Axial slice 295 of 470 of a contrast-enhanced abdominal CT (slice 1 is the lowest), 100 kVp, kernel I40f; 2.00 mm slice thickness and 0.824 mm pixels.
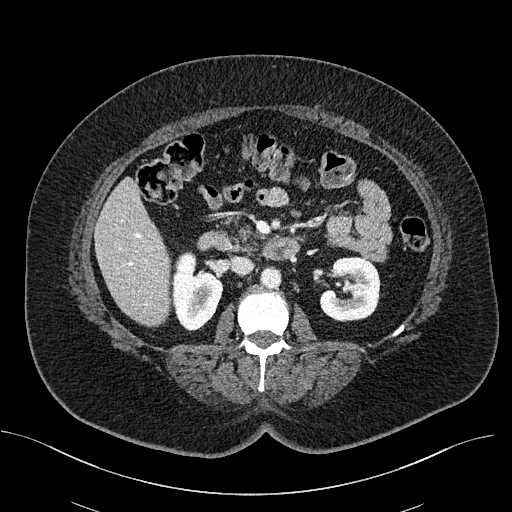
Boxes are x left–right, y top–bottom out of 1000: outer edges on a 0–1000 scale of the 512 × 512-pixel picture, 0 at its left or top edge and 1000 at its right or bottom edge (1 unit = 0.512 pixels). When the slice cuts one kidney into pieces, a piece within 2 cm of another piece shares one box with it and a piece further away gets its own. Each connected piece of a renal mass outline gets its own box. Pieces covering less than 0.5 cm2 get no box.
Boxed on this slice (two kidney boxes), listed by box centre from the image's left to its right: (1) Right kidney, box x 334–438, y 490–648 out of 1000 (outlined area 2,950 px, about 20.0 cm2). (2) Left kidney at x 625–744, y 500–629 out of 1000 (outlined area 3,053 px, about 20.7 cm2). This slice carries no renal mass outline.